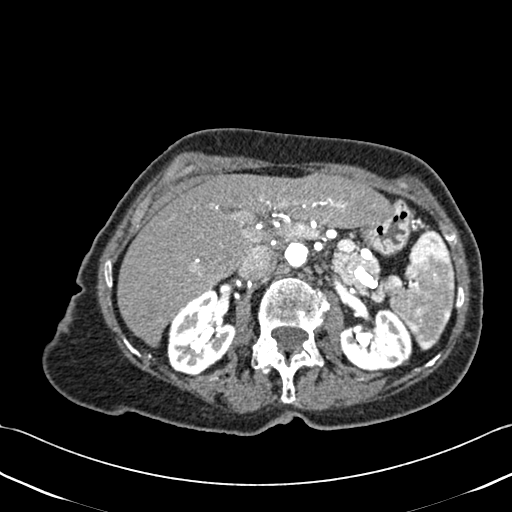
One axial slice (277 of 433, counting up from the lowest) of a contrast-enhanced abdominal CT acquired with 120 kVp, kernel B30f; each pixel is 0.672 mm and the slice is 1.00 mm thick.
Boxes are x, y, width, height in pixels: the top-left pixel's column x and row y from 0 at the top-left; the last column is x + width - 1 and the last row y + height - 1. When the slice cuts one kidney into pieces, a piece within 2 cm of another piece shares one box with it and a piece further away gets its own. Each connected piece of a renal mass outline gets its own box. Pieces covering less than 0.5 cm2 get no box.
Two boxes on this slice (two kidney boxes), listed by box centre from the image's left to its right. (1) Box x 167, y 291, width 69, height 84: right kidney (outlined area 4,123 px, about 18.6 cm2). (2) Left kidney at x 339, y 308, width 74, height 64 (outlined area 3,427 px, about 15.5 cm2). This slice carries no renal mass outline.